One axial slice (218 of 602, counting up from the lowest) of an arterial-phase abdominal CT acquired with 120 kVp, kernel I30f; each pixel is 0.799 mm and the slice is 1.00 mm thick.
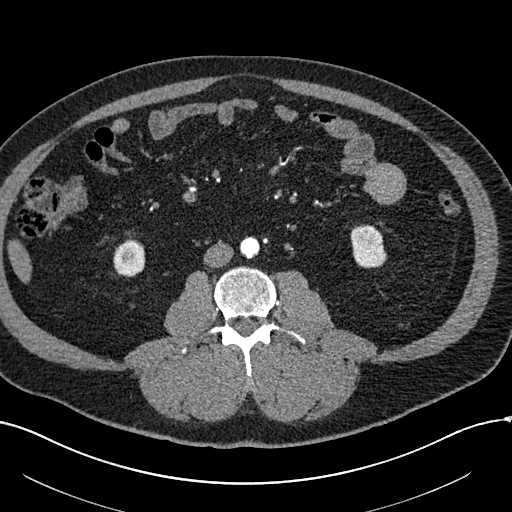
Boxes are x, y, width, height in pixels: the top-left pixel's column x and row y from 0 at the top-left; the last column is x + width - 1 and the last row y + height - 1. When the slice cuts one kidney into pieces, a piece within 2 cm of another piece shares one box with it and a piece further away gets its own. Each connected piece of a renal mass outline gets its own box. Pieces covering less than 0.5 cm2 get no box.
Two boxes on this slice (two kidney boxes), listed by box centre from the image's left to its right. (1) Box x 113, y 235, width 33, height 43: right kidney (outlined area 1,010 px, about 6.4 cm2). (2) Left kidney, box x 350, y 224, width 38, height 45 (outlined area 1,287 px, about 8.2 cm2). This slice carries no renal mass outline.